Axial slice 502 of 634 of a contrast-enhanced abdominal CT in the arterial phase (slice 1 is the lowest), 120 kVp, kernel B20f; 1.00 mm slice thickness and 0.838 mm pixels.
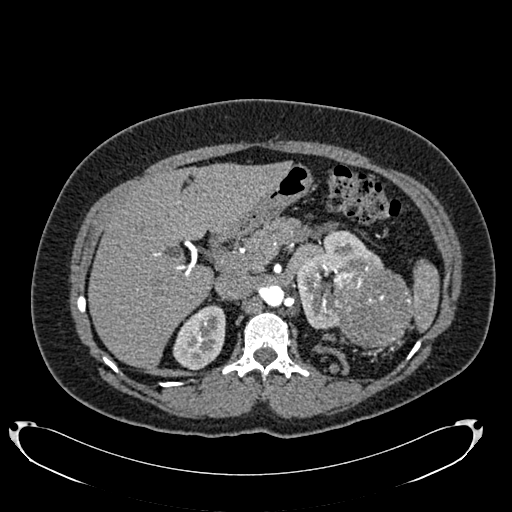
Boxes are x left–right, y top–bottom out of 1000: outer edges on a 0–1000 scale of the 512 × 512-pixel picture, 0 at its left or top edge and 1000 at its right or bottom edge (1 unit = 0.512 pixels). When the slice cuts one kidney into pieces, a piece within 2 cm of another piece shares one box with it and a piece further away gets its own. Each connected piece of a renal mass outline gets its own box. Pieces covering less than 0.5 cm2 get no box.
Three boxes on this slice (two kidney boxes and one renal mass box), listed by box centre from the image's left to its right. (1) Box x 338–441, y 594–725 out of 1000: right kidney (outlined area 2,535 px, about 17.8 cm2). (2) Left kidney, box x 576–750, y 449–643 out of 1000 (outlined area 4,015 px, about 28.2 cm2). (3) Left renal mass at x 650–807, y 521–684 out of 1000 (outlined area 5,358 px, about 37.6 cm2).